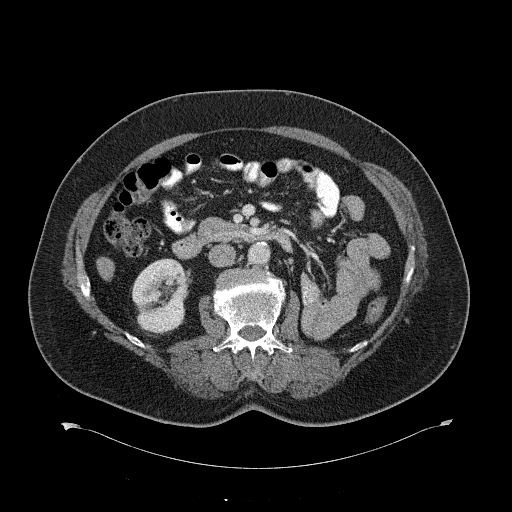
Axial slice 354 of 734 of a contrast-enhanced abdominal CT (slice 1 is the lowest), 120 kVp, kernel B31f; 2.00 mm slice thickness and 0.971 mm pixels.
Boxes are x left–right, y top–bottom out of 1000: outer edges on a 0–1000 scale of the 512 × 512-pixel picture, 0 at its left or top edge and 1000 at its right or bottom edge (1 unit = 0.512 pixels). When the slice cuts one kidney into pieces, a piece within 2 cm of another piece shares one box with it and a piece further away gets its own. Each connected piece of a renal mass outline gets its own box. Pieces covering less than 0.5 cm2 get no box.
Right kidney, box x 256–375, y 504–652 out of 1000 (outlined area 3,474 px, about 32.7 cm2). No renal mass outline on this slice.